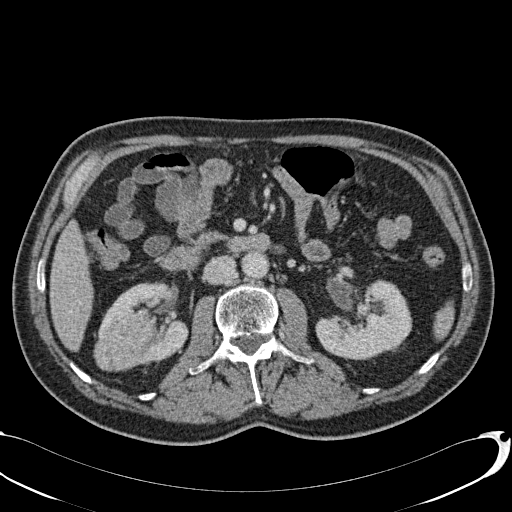
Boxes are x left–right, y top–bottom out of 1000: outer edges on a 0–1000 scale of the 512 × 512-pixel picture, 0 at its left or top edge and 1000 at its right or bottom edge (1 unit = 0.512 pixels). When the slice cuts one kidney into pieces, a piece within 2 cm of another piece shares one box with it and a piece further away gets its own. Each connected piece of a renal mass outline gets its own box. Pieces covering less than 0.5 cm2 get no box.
Slice 39/113 of a contrast-enhanced abdominal CT, counting up from the lowest; pixel size 0.742 mm, slice thickness 2.00 mm. Two kidney boxes and one renal mass box on this slice; by box centre, from the image's left to its right: (1) Box x 182–303, y 600–727 out of 1000: right renal mass (outlined area 2,756 px, about 15.2 cm2). (2) Box x 188–369, y 551–713 out of 1000: right kidney (outlined area 3,347 px, about 18.4 cm2). (3) Left kidney at x 615–807, y 545–703 out of 1000 (outlined area 5,257 px, about 29.0 cm2).
Acquired at 120 kVp and reconstructed with the B31f kernel.